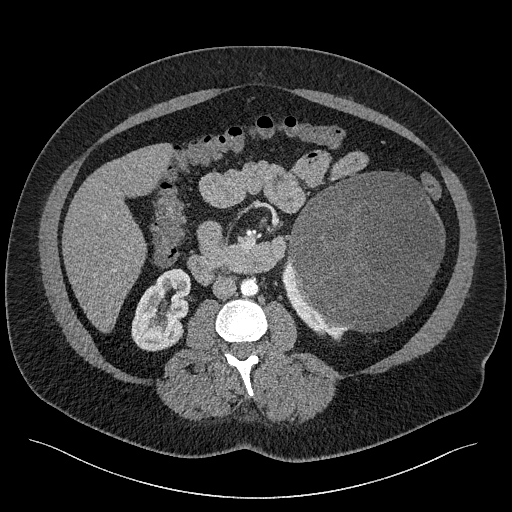
Axial slice 112 of 301 of a contrast-enhanced abdominal CT (slice 1 is the lowest), 120 kVp, kernel I40f; 2.00 mm slice thickness and 0.859 mm pixels.
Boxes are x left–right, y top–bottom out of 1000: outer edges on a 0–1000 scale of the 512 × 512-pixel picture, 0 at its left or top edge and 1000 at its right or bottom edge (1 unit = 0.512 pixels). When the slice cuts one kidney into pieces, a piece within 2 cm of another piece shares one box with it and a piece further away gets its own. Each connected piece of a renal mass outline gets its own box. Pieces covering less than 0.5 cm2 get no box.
Two kidney boxes and one renal mass box on this slice; by box centre, from the image's left to its right: (1) Box x 256–373, y 523–688 out of 1000: right kidney (outlined area 3,506 px, about 25.9 cm2). (2) Left kidney, box x 549–682, y 510–668 out of 1000 (outlined area 1,185 px, about 8.8 cm2). (3) Box x 559–869, y 334–650 out of 1000: left renal mass (outlined area 19,543 px, about 144.3 cm2).